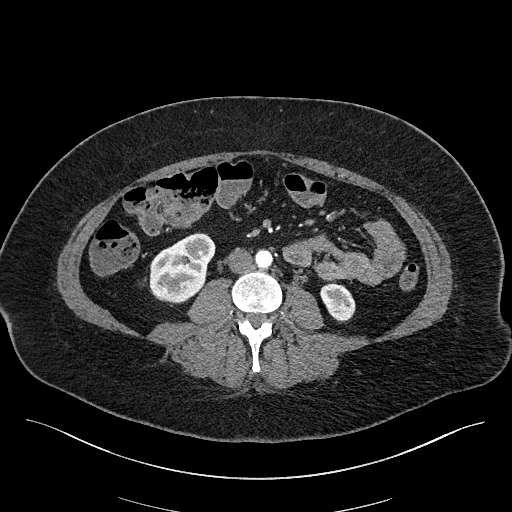
Arterial-phase contrast-enhanced abdominal CT, axial slice 64 of 270 (counted from the lowest slice); tube voltage 100 kVp, convolution kernel I40f; slices 2.00 mm thick, 0.855 mm per pixel.
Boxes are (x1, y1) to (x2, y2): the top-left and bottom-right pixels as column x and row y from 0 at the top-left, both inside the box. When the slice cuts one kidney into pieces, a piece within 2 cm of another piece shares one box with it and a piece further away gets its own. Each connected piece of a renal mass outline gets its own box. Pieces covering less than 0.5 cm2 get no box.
Two boxes on this slice (two kidney boxes), listed by box centre from the image's left to its right. (1) Right kidney, box (149, 233) to (215, 303) (outlined area 3,342 px, about 24.5 cm2). (2) Left kidney, box (320, 282) to (355, 322) (outlined area 1,024 px, about 7.5 cm2). This slice carries no renal mass outline.